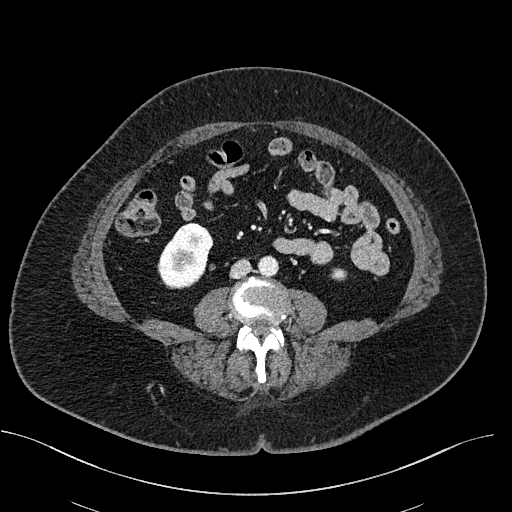
Contrast-enhanced abdominal CT, axial slice 250 of 470 (counted from the lowest slice); tube voltage 100 kVp, convolution kernel I40f; slices 2.00 mm thick, 0.824 mm per pixel.
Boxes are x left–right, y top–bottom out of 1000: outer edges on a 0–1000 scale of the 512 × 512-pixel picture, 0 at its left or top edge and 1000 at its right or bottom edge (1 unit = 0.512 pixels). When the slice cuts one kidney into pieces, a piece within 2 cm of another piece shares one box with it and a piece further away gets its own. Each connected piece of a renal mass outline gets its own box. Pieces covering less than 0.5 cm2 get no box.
Two kidney boxes on this slice; by box centre, from the image's left to its right: (1) Box x 307–418, y 434–564 out of 1000: right kidney (outlined area 2,637 px, about 17.9 cm2). (2) Box x 645–680, y 523–547 out of 1000: left kidney (outlined area 167 px, about 1.1 cm2). This slice carries no renal mass outline.